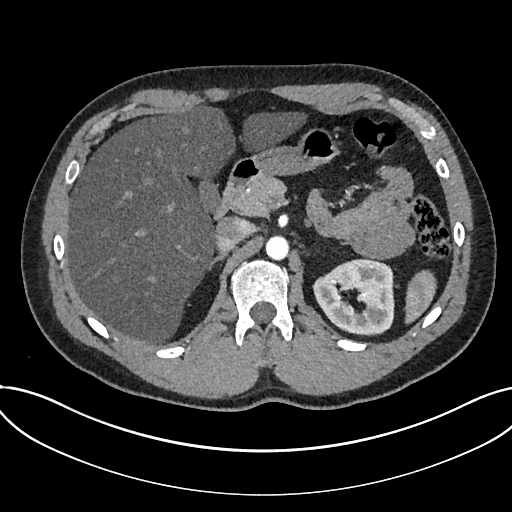
Arterial-phase contrast-enhanced abdominal CT, axial slice 499 of 735 (counted from the lowest slice); tube voltage 120 kVp, convolution kernel I30f; slices 1.00 mm thick, 0.789 mm per pixel.
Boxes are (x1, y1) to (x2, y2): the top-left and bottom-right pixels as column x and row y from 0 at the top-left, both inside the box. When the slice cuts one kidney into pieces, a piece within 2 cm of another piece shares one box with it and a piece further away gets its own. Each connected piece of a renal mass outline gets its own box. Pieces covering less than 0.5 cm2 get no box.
Box (312, 258) to (394, 335): kidney (outlined area 4,766 px, about 29.7 cm2). No renal mass is outlined on this slice.